Axial slice 326 of 591 of a contrast-enhanced abdominal CT in the arterial phase (slice 1 is the lowest), 140 kVp, kernel I30f; 1.00 mm slice thickness and 0.703 mm pixels.
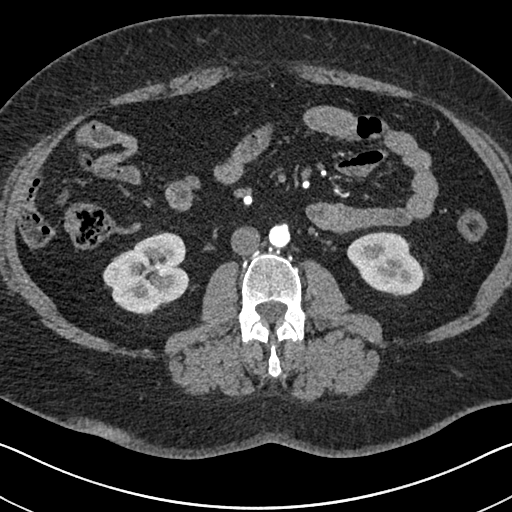
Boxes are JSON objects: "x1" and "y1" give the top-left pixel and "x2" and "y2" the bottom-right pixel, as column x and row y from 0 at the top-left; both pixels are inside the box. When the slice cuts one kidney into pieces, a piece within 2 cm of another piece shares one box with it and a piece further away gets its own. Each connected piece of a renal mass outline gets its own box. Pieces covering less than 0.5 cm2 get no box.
Boxed on this slice (two kidney boxes), listed by box centre from the image's left to its right: (1) Right kidney at {"x1": 102, "y1": 232, "x2": 189, "y2": 314} (outlined area 5,112 px, about 25.3 cm2). (2) Left kidney, box {"x1": 346, "y1": 231, "x2": 426, "y2": 296} (outlined area 3,580 px, about 17.7 cm2). No renal mass outline on this slice.